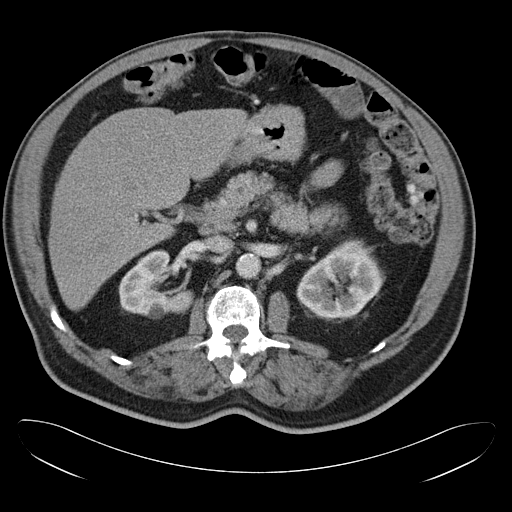
Arterial-phase contrast-enhanced abdominal CT, axial slice 22 of 34 (counted from the lowest slice); tube voltage 120 kVp, convolution kernel B30f; slices 5.00 mm thick, 0.830 mm per pixel.
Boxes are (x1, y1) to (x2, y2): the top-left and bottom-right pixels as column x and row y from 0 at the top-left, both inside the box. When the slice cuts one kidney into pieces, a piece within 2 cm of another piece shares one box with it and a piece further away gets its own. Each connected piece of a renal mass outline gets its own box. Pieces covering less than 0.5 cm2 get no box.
Two boxes on this slice (two kidney boxes), listed by box centre from the image's left to its right. (1) Right kidney, box (119, 249) to (193, 318) (outlined area 3,421 px, about 23.6 cm2). (2) Box (296, 240) to (383, 318): left kidney (outlined area 4,718 px, about 32.5 cm2). No renal mass is outlined on this slice.